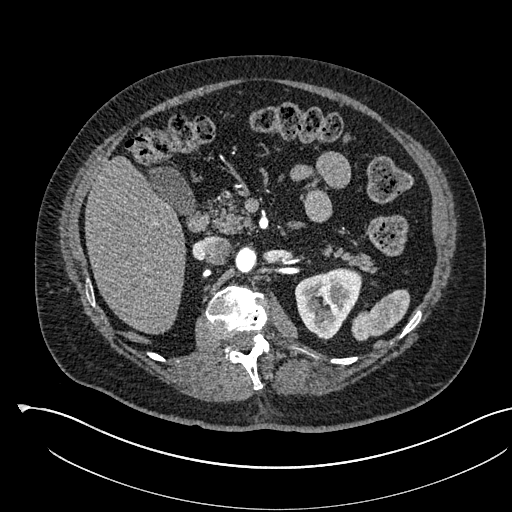
Abdominal CT with intravenous contrast, arterial phase, axial plane, 120 kVp, kernel I30f. Slice 358/541 from the bottom of the scan; thickness 1.00 mm; pixel size 0.834 mm.
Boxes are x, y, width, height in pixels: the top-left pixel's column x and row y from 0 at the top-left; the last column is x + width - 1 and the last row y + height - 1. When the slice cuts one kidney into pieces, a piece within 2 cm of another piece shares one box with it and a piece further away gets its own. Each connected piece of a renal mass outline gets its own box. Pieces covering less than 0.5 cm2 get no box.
Box x 294, y 268, width 69, height 74: left kidney (outlined area 3,433 px, about 23.9 cm2). No renal mass is outlined on this slice.